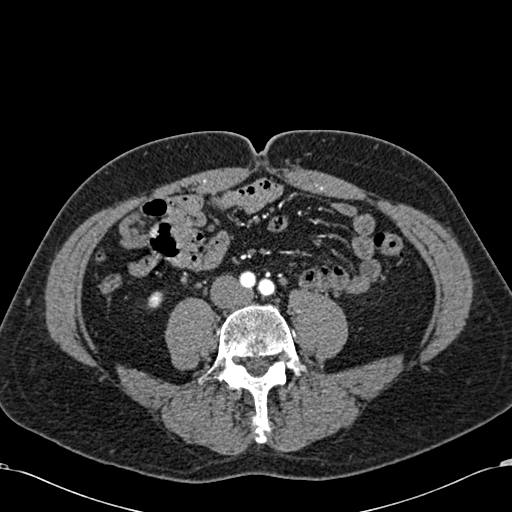
Arterial-phase contrast-enhanced abdominal CT, axial slice 195 of 581 (counted from the lowest slice); tube voltage 120 kVp, convolution kernel B30f; slices 1.00 mm thick, 0.713 mm per pixel.
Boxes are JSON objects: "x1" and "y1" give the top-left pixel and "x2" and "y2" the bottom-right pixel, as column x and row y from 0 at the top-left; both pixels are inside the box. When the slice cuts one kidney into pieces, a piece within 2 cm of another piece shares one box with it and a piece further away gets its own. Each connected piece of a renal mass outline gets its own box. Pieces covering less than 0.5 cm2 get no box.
Box {"x1": 147, "y1": 293, "x2": 158, "y2": 306}: right kidney (outlined area 117 px, about 0.6 cm2). No renal mass is outlined on this slice.